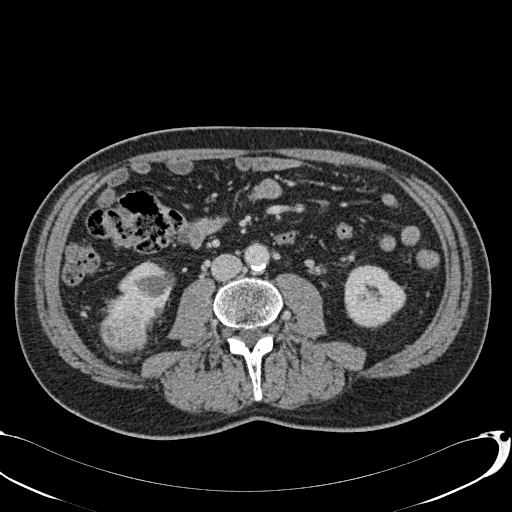
Contrast-enhanced abdominal CT, axial slice 19 of 113 (counted from the lowest slice); tube voltage 120 kVp, convolution kernel B31f; slices 2.00 mm thick, 0.742 mm per pixel.
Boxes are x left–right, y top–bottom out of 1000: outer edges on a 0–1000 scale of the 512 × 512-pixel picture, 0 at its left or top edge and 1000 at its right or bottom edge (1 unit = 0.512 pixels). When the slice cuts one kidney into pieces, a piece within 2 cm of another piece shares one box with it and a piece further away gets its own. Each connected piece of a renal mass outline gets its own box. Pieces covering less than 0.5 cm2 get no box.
Boxed on this slice (two kidney boxes and one renal mass box), listed by box centre from the image's left to its right: (1) Right renal mass, box x 193–305, y 572–691 out of 1000 (outlined area 2,434 px, about 13.4 cm2). (2) Right kidney at x 230–344, y 508–617 out of 1000 (outlined area 1,822 px, about 10.0 cm2). (3) Box x 672–795, y 516–643 out of 1000: left kidney (outlined area 3,003 px, about 16.5 cm2).